One axial slice (35 of 49, counting up from the lowest) of an arterial-phase abdominal CT acquired with 120 kVp, kernel B31f; each pixel is 0.691 mm and the slice is 5.00 mm thick.
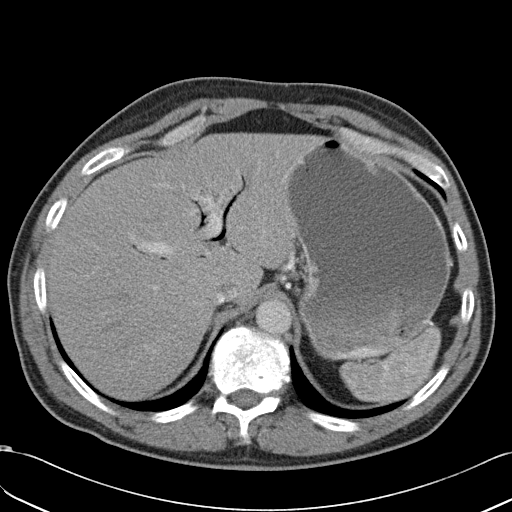
This slice carries no outline: it lies beyond the outlined kidneys and beyond every outlined renal mass. Other organs are not outlined in this scan.